Axial slice 339 of 705 of a contrast-enhanced abdominal CT in the arterial phase (slice 1 is the lowest), 120 kVp, kernel I30f; 1.00 mm slice thickness and 0.703 mm pixels.
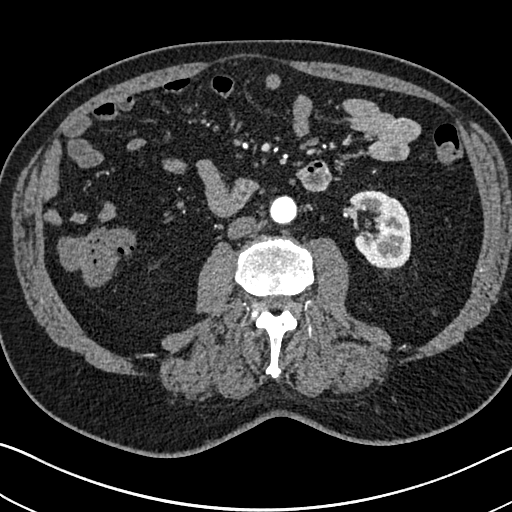
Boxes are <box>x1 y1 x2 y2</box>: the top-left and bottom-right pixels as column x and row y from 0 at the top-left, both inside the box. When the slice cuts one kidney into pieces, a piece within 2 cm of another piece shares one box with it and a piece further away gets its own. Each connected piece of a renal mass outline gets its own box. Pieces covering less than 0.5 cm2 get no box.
Left kidney at <box>348 190 411 271</box> (outlined area 3,704 px, about 18.3 cm2). This slice carries no renal mass outline.